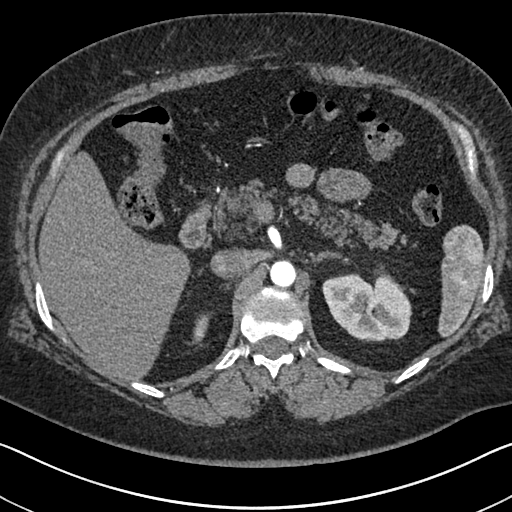
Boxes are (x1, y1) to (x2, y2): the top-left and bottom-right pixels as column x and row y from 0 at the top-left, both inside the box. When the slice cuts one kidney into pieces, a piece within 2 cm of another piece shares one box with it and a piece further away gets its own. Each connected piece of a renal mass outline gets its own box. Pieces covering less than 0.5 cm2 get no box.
This is axial slice 469 of 591 (slice 1 is the lowest) of an arterial-phase abdominal CT with contrast; each pixel is 0.703 mm and the slice is 1.00 mm thick. Boxed on this slice (two kidney boxes), listed by box centre from the image's left to its right: (1) Right kidney, box (191, 313) to (209, 345) (outlined area 361 px, about 1.8 cm2). (2) Box (322, 264) to (412, 341): left kidney (outlined area 4,829 px, about 23.9 cm2). This slice carries no renal mass outline.
Scan settings: 140 kVp, I30f reconstruction kernel.